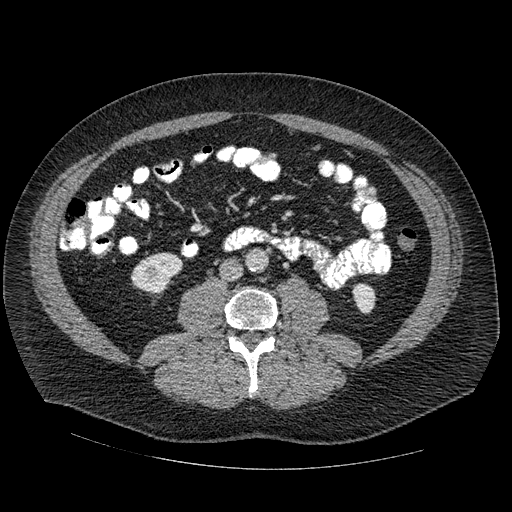
Arterial-phase contrast-enhanced abdominal CT, axial slice 234 of 445 (counted from the lowest slice); tube voltage 120 kVp, convolution kernel STANDARD; slices 1.25 mm thick, 0.863 mm per pixel.
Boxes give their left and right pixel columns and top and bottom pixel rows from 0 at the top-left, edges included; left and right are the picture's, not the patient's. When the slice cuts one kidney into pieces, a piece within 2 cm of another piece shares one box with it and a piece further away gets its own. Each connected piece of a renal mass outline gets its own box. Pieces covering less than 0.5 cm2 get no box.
Boxed on this slice (two kidney boxes), listed by box centre from the image's left to its right: (1) Right kidney in the box with left 130, top 252, right 183, bottom 298 (outlined area 1,646 px, about 12.3 cm2). (2) Box with left 352, top 284, right 377, bottom 314: left kidney (outlined area 547 px, about 4.1 cm2). No renal mass is outlined on this slice.